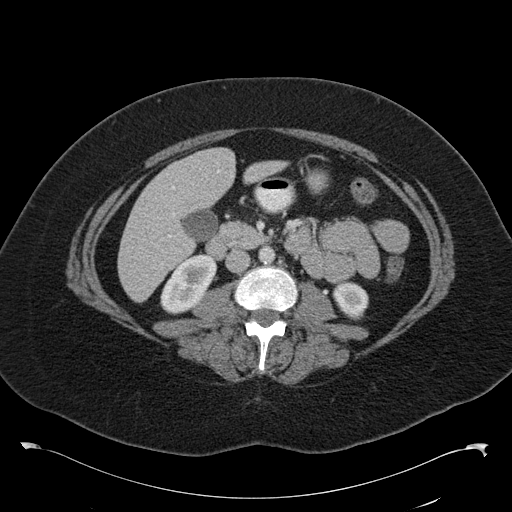
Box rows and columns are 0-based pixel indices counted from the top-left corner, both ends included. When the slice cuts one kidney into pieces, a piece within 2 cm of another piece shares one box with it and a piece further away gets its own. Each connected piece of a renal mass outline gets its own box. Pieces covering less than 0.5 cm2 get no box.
Slice 57/97 of a contrast-enhanced abdominal CT in the arterial phase, counting up from the lowest; pixel size 0.824 mm, slice thickness 5.00 mm. Two boxes on this slice (two kidney boxes), listed by box centre from the image's left to its right. (1) Right kidney at rows 253–314, columns 160–217 (outlined area 2,278 px, about 15.5 cm2). (2) Box rows 281–320, columns 332–368: left kidney (outlined area 1,036 px, about 7.0 cm2). No renal mass outline on this slice.
Scan settings: 120 kVp, B30f reconstruction kernel.